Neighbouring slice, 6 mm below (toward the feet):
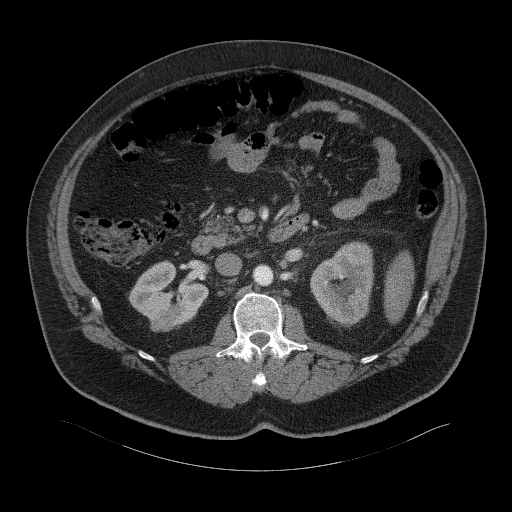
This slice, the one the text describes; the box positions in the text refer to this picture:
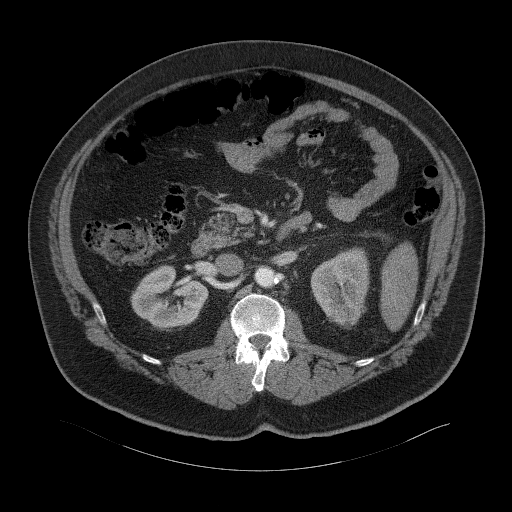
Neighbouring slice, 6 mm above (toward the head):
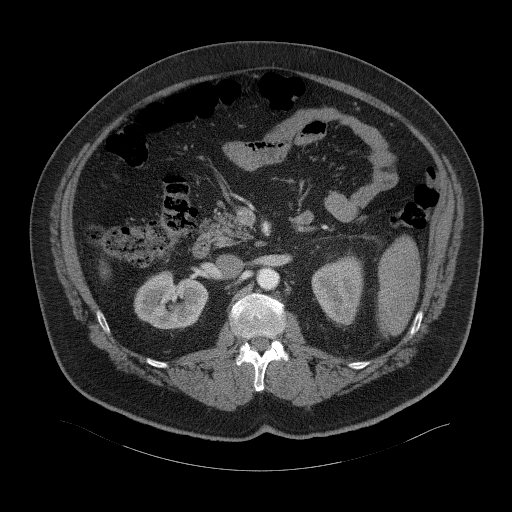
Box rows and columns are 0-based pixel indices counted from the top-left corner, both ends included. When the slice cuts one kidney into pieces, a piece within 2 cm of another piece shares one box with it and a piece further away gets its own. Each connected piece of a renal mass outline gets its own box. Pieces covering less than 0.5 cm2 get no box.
This is axial slice 33 of 94 (slice 1 is the lowest) of an abdominal CT with contrast; each pixel is 0.977 mm and the slice is 3.00 mm thick. Boxed on this slice (two kidney boxes and one renal mass box), listed by box centre from the image's left to its right: (1) Right renal mass, box rows 318–330, columns 155–169 (outlined area 146 px, about 1.4 cm2). (2) Right kidney, box rows 265–331, columns 130–208 (outlined area 3,335 px, about 31.8 cm2). (3) Left kidney, box rows 247–328, columns 310–369 (outlined area 3,503 px, about 33.4 cm2). This slice lies near the end of the right renal mass toward the head; the slices 6 mm below and 6 mm above it are shown too, and the boxes mark positions on this slice only.
Acquired at 120 kVp and reconstructed with the B41f kernel.